One axial slice (362 of 581, counting up from the lowest) of an arterial-phase abdominal CT acquired with 120 kVp, kernel B30f; each pixel is 0.713 mm and the slice is 1.00 mm thick.
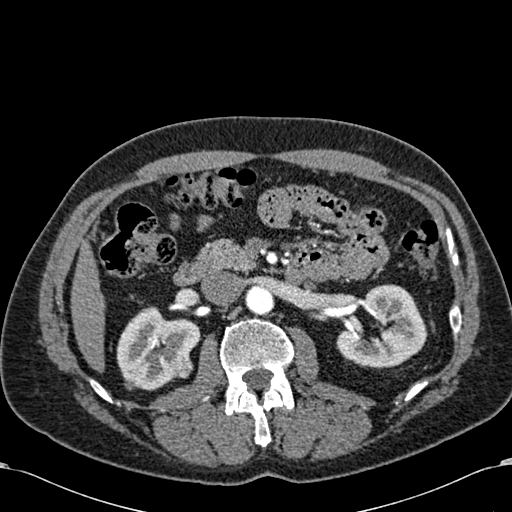
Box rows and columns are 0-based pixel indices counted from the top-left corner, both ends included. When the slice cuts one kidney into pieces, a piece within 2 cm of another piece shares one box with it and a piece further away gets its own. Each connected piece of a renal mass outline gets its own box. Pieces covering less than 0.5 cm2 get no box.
Three boxes on this slice (two kidney boxes and one renal mass box), listed by box centre from the image's left to its right. (1) Box rows 306–390, columns 116–200: right kidney (outlined area 4,602 px, about 23.4 cm2). (2) Box rows 351–378, columns 170–193: right renal mass (outlined area 495 px, about 2.5 cm2). (3) Left kidney, box rows 284–368, columns 336–426 (outlined area 5,132 px, about 26.1 cm2).